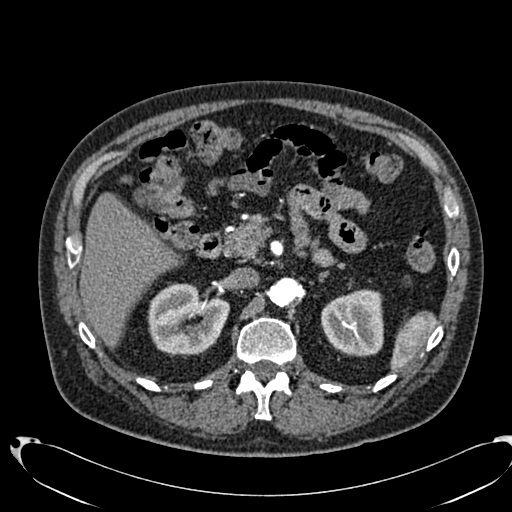
Abdominal CT with intravenous contrast, arterial phase, axial plane, 120 kVp, kernel B20f. Slice 458/553 from the bottom of the scan; thickness 1.00 mm; pixel size 0.773 mm.
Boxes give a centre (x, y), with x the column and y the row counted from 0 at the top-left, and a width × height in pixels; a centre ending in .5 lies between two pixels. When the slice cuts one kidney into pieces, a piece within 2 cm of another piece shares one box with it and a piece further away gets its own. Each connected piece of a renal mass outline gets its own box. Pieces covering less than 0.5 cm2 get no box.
Two boxes on this slice (two kidney boxes), listed by box centre from the image's left to its right. (1) Right kidney in a box with centre (188, 320), 83 × 75 pixels (outlined area 4,516 px, about 27.0 cm2). (2) Box centre (352, 322.5), 63 × 68 pixels: left kidney (outlined area 3,428 px, about 20.5 cm2).